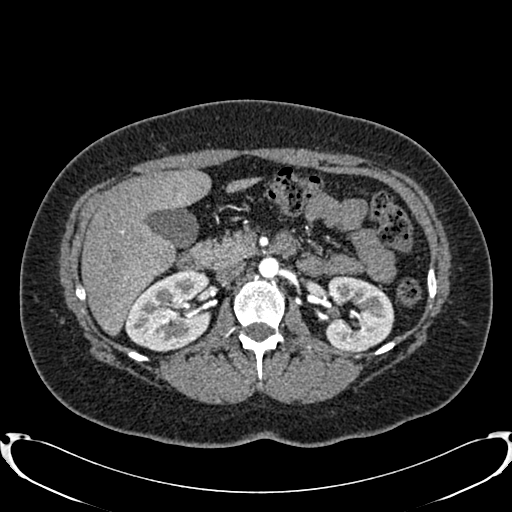
Arterial-phase contrast-enhanced abdominal CT, axial slice 489 of 719 (counted from the lowest slice); tube voltage 120 kVp, convolution kernel B20f; slices 1.00 mm thick, 0.766 mm per pixel.
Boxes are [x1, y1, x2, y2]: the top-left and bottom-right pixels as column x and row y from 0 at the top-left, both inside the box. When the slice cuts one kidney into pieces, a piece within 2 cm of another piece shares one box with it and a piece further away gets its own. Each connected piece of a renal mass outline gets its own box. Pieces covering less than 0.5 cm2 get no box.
Boxed on this slice (two kidney boxes), listed by box centre from the image's left to its right: (1) Box [125, 269, 211, 352]: right kidney (outlined area 5,380 px, about 31.5 cm2). (2) Box [325, 275, 394, 350]: left kidney (outlined area 4,086 px, about 24.0 cm2). This slice carries no renal mass outline.